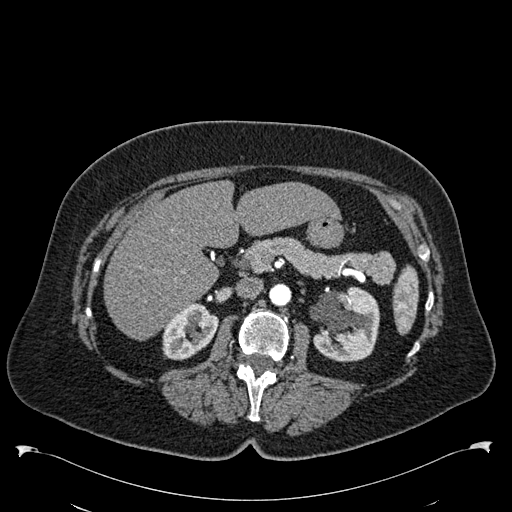
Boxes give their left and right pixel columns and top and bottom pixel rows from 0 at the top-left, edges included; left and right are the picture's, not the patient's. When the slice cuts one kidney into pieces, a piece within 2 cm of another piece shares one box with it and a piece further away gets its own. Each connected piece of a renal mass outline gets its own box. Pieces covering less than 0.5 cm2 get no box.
This is axial slice 346 of 538 (slice 1 is the lowest) of an arterial-phase abdominal CT with contrast; each pixel is 0.811 mm and the slice is 1.00 mm thick. Boxed on this slice (two kidney boxes), listed by box centre from the image's left to its right: (1) Right kidney, the box with left 162, top 303, right 218, bottom 360 (outlined area 2,267 px, about 14.9 cm2). (2) Left kidney, the box with left 310, top 286, right 379, bottom 361 (outlined area 4,111 px, about 27.0 cm2). No renal mass is outlined on this slice.
Acquired at 120 kVp and reconstructed with the B30f kernel.